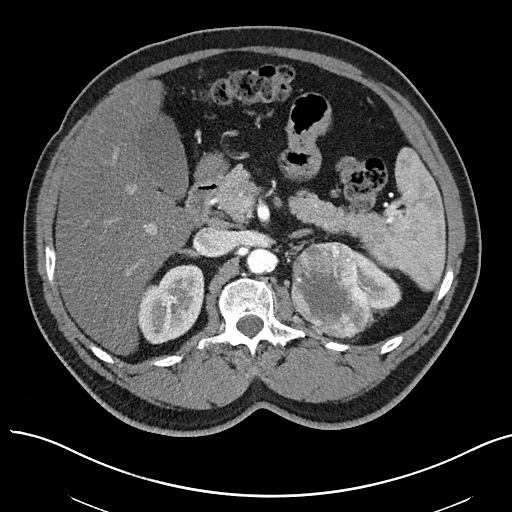
Abdominal CT with intravenous contrast, arterial phase, axial plane, 100 kVp, kernel I40f. Slice 46/97 from the bottom of the scan; thickness 3.00 mm; pixel size 0.797 mm.
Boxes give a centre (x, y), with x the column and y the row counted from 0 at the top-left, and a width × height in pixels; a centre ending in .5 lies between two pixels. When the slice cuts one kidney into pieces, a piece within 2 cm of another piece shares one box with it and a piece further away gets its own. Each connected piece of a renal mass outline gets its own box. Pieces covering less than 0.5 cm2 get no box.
Boxed on this slice (two kidney boxes and one renal mass box), listed by box centre from the image's left to its right: (1) Right kidney, box centre (170, 304), 69 × 81 pixels (outlined area 3,976 px, about 25.2 cm2). (2) Box centre (333, 290.5), 87 × 98 pixels: left renal mass (outlined area 6,069 px, about 38.5 cm2). (3) Box centre (377.5, 283), 48 × 65 pixels: left kidney (outlined area 1,625 px, about 10.3 cm2).